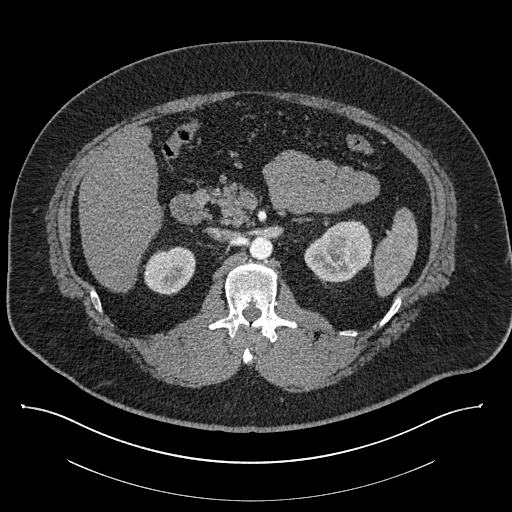
One axial slice (530 of 787, counting up from the lowest) of a contrast-enhanced abdominal CT acquired with 140 kVp, kernel I30f; each pixel is 0.910 mm and the slice is 1.00 mm thick.
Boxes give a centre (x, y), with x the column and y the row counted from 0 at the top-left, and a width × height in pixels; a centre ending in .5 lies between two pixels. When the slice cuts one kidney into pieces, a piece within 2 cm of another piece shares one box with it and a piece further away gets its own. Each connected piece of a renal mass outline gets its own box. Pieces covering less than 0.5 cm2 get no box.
Two boxes on this slice (two kidney boxes), listed by box centre from the image's left to its right. (1) Right kidney in a box with centre (169, 270.5), 53 × 50 pixels (outlined area 1,981 px, about 16.4 cm2). (2) Box centre (337.5, 251), 68 × 63 pixels: left kidney (outlined area 3,142 px, about 26.0 cm2). This slice carries no renal mass outline.